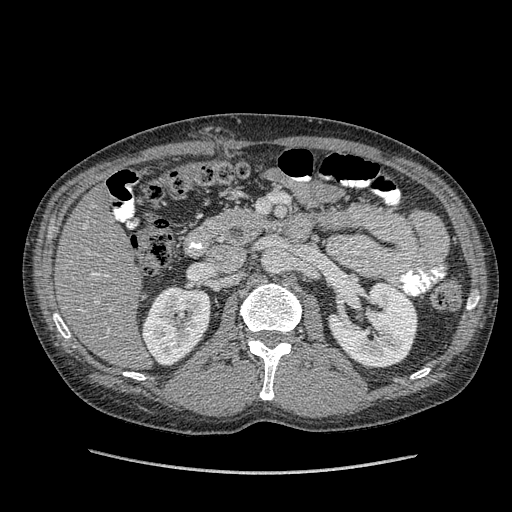
Axial slice 220 of 349 of a contrast-enhanced abdominal CT in the arterial phase (slice 1 is the lowest), 120 kVp, kernel STANDARD; 1.25 mm slice thickness and 0.742 mm pixels.
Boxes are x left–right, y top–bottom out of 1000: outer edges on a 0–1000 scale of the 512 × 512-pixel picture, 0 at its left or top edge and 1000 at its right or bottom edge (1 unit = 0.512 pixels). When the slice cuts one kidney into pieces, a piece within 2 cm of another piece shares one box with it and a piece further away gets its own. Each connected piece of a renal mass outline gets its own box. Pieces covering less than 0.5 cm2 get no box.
Two kidney boxes on this slice; by box centre, from the image's left to its right: (1) Right kidney at x 273–414, y 557–717 out of 1000 (outlined area 4,150 px, about 22.9 cm2). (2) Left kidney at x 639–816, y 549–723 out of 1000 (outlined area 5,608 px, about 30.9 cm2). No renal mass is outlined on this slice.